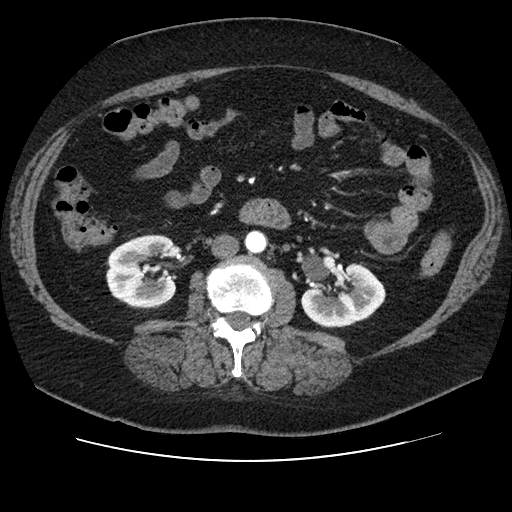
One axial slice (43 of 106, counting up from the lowest) of an arterial-phase abdominal CT acquired with 120 kVp, kernel STANDARD; each pixel is 0.742 mm and the slice is 2.50 mm thick.
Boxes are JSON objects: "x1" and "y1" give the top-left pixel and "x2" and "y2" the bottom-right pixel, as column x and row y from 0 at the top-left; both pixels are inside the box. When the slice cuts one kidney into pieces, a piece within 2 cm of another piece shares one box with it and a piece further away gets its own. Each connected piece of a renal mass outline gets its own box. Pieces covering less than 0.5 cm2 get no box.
Boxed on this slice (two kidney boxes), listed by box centre from the image's left to its right: (1) Right kidney, box {"x1": 106, "y1": 234, "x2": 176, "y2": 308} (outlined area 4,210 px, about 23.2 cm2). (2) Box {"x1": 300, "y1": 263, "x2": 385, "y2": 327}: left kidney (outlined area 3,761 px, about 20.7 cm2). No renal mass is outlined on this slice.